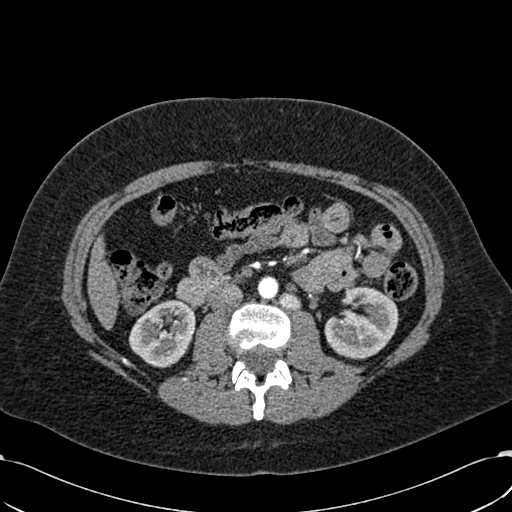
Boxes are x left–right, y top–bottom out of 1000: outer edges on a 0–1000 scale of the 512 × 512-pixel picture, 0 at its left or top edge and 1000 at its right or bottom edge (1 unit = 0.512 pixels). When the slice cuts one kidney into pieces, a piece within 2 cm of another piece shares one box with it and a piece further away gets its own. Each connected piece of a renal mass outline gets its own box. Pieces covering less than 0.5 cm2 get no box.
Slice 319/532 of a contrast-enhanced abdominal CT in the arterial phase, counting up from the lowest; pixel size 0.713 mm, slice thickness 1.00 mm. Two kidney boxes on this slice; by box centre, from the image's left to its right: (1) Right kidney at x 250–383, y 584–719 out of 1000 (outlined area 3,337 px, about 17.0 cm2). (2) Left kidney at x 633–779, y 559–703 out of 1000 (outlined area 3,936 px, about 20.0 cm2). This slice carries no renal mass outline.
Tube voltage 120 kVp; convolution kernel B30f.